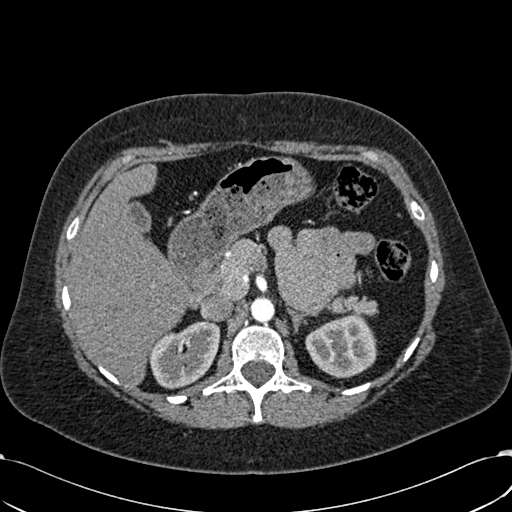
Abdominal CT with intravenous contrast, arterial phase, axial plane, 120 kVp, kernel B30f. Slice 419/532 from the bottom of the scan; thickness 1.00 mm; pixel size 0.713 mm.
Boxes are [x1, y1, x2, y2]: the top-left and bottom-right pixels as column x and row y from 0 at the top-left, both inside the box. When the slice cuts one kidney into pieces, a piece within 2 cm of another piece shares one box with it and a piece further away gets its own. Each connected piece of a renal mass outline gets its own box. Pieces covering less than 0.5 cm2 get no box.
Two kidney boxes on this slice; by box centre, from the image's left to its right: (1) Right kidney at [147, 321, 220, 388] (outlined area 3,523 px, about 17.9 cm2). (2) Left kidney, box [305, 314, 377, 378] (outlined area 3,432 px, about 17.4 cm2). No renal mass is outlined on this slice.